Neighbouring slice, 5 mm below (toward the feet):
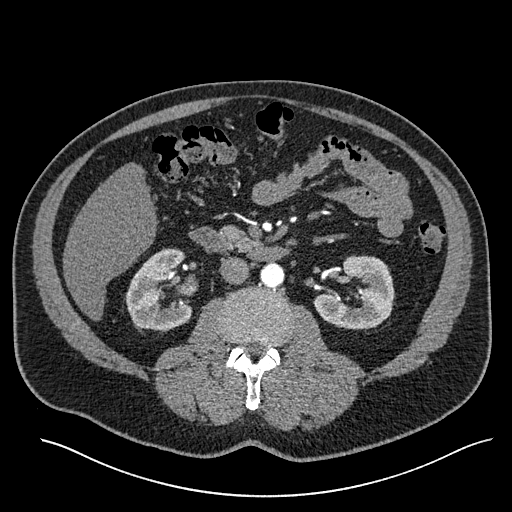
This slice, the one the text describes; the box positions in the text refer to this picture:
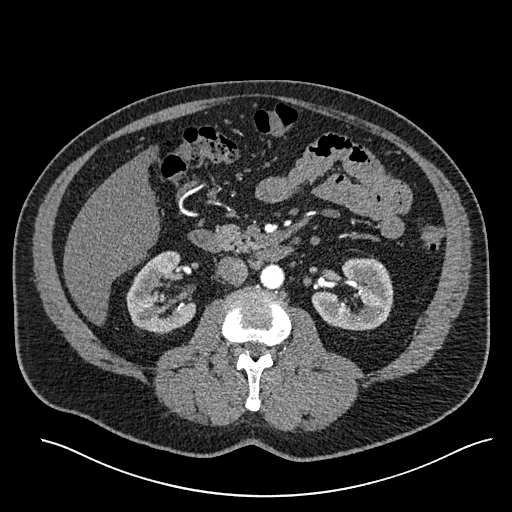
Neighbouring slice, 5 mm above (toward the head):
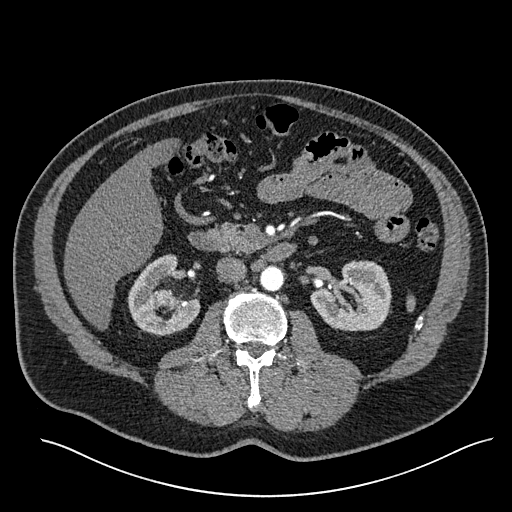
Axial slice 314 of 527 of a contrast-enhanced abdominal CT in the arterial phase (slice 1 is the lowest), 120 kVp, kernel I30f; 1.00 mm slice thickness and 0.859 mm pixels.
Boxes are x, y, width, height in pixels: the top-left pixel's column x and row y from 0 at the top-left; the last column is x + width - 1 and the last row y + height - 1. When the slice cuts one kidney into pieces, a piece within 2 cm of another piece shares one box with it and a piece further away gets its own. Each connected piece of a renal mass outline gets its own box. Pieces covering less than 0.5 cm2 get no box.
Three boxes on this slice (two kidney boxes and one renal mass box), listed by box centre from the image's left to its right. (1) Right kidney at x 126, y 251, width 71, height 83 (outlined area 3,821 px, about 28.2 cm2). (2) Box x 158, y 292, width 9, height 10: right renal mass (outlined area 73 px, about 0.5 cm2). (3) Box x 311, y 257, width 83, height 74: left kidney (outlined area 4,155 px, about 30.7 cm2). This slice lies near the end of the right renal mass toward the feet; the slices 5 mm below and 5 mm above it are shown too, and the boxes mark positions on this slice only.